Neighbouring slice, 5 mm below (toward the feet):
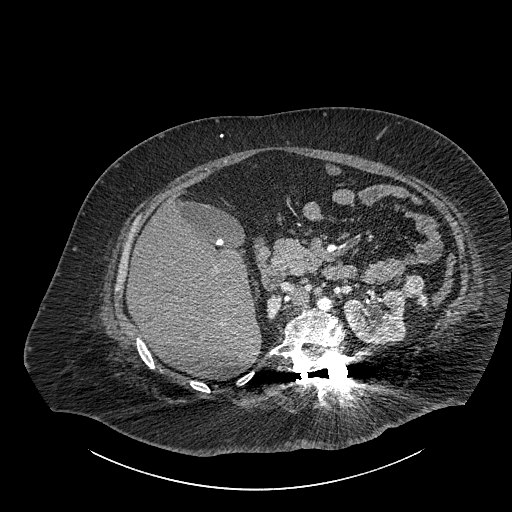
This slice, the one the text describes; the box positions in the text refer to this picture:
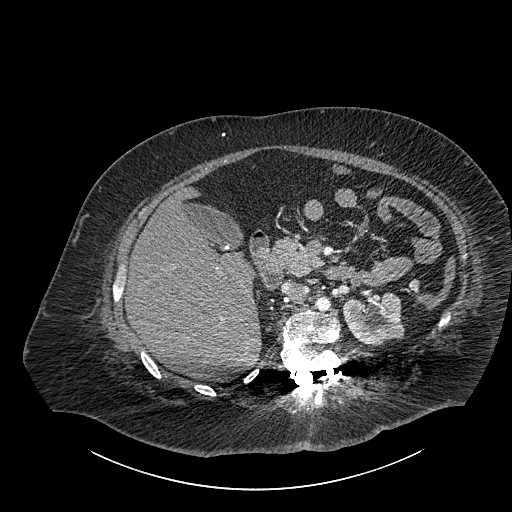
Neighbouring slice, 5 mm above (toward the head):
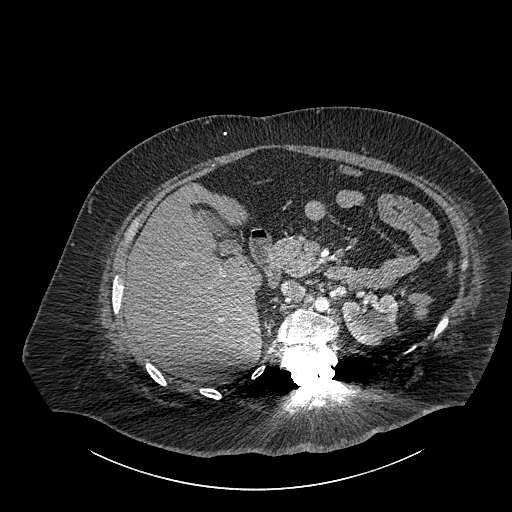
Contrast-enhanced abdominal CT, axial slice 581 of 834 (counted from the lowest slice); tube voltage 140 kVp, convolution kernel I30f; slices 1.00 mm thick, 0.977 mm per pixel.
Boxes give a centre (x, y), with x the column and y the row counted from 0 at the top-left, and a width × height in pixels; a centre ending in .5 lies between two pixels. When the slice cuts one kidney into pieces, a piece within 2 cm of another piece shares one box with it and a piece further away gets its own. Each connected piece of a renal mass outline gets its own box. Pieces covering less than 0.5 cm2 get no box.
Two boxes on this slice (one kidney box and one renal mass box), listed by box centre from the image's left to its right. (1) Left part of the midline-crossing kidney, box centre (373, 317.5), 63 × 54 pixels (outlined area 2,534 px, about 24.2 cm2). (2) Renal mass in a box with centre (413.5, 285.5), 12 × 14 pixels (outlined area 123 px, about 1.2 cm2); it sits over 1 cm from every kidney outline on this slice, but the same outlined renal mass comes within 1 cm of the kidney on another slice. This slice is near the end of a renal mass toward the head, so the slices 5 mm below and 5 mm above it are shown as well; the boxes refer to this slice only.